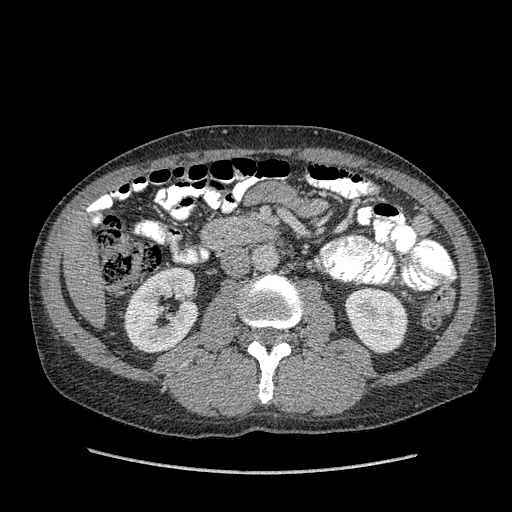
Arterial-phase contrast-enhanced abdominal CT, axial slice 186 of 349 (counted from the lowest slice); tube voltage 120 kVp, convolution kernel STANDARD; slices 1.25 mm thick, 0.742 mm per pixel.
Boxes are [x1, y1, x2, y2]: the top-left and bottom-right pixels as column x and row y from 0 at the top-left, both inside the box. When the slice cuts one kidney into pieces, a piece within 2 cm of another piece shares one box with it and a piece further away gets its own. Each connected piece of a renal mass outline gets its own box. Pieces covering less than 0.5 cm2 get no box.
Two boxes on this slice (two kidney boxes), listed by box centre from the image's left to its right. (1) Right kidney at [123, 265, 199, 353] (outlined area 4,801 px, about 26.4 cm2). (2) Left kidney at [345, 287, 408, 353] (outlined area 3,239 px, about 17.8 cm2). No renal mass is outlined on this slice.